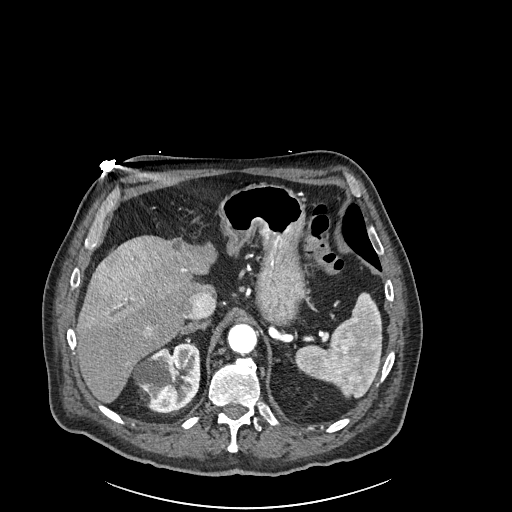
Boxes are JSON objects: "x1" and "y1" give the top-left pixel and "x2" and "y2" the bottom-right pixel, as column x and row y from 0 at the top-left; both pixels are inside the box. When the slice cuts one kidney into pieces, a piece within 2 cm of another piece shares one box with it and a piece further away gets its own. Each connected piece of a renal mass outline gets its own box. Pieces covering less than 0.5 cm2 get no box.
Arterial-phase contrast-enhanced abdominal CT, axial slice 180 of 261 (counted from the lowest slice); 2.00 mm thick, 0.939 mm per pixel. Right kidney, box {"x1": 131, "y1": 342, "x2": 200, "y2": 413} (outlined area 3,505 px, about 30.9 cm2). This slice carries no renal mass outline.
Acquired at 120 kVp and reconstructed with the I30f kernel.